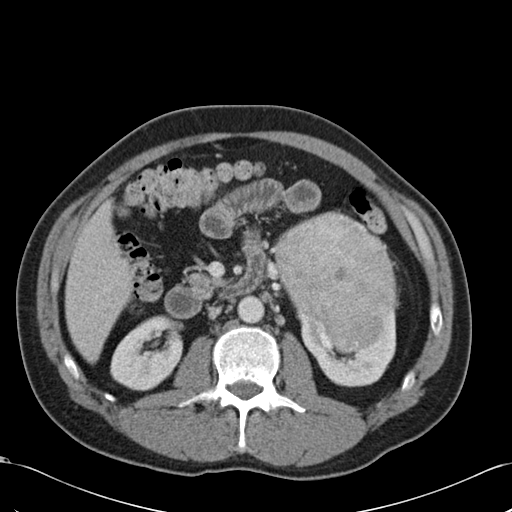
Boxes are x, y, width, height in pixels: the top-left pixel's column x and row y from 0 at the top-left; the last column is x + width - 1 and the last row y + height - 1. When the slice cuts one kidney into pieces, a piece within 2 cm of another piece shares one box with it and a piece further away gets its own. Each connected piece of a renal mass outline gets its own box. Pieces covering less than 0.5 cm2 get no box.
Slice 63/99 of a contrast-enhanced abdominal CT in the arterial phase, counting up from the lowest; pixel size 0.693 mm, slice thickness 5.00 mm. Three boxes on this slice (two kidney boxes and one renal mass box), listed by box centre from the image's left to its right. (1) Right kidney at x 110, y 315, width 73, height 76 (outlined area 3,961 px, about 19.0 cm2). (2) Box x 274, y 211, width 126, height 144: left renal mass (outlined area 12,198 px, about 58.6 cm2). (3) Box x 296, y 305, width 103, height 83: left kidney (outlined area 3,714 px, about 17.9 cm2).
Tube voltage 120 kVp; convolution kernel B30f.